Abdominal CT with intravenous contrast, axial plane, 120 kVp, kernel I30f. Slice 23/109 from the bottom of the scan; thickness 3.00 mm; pixel size 0.742 mm.
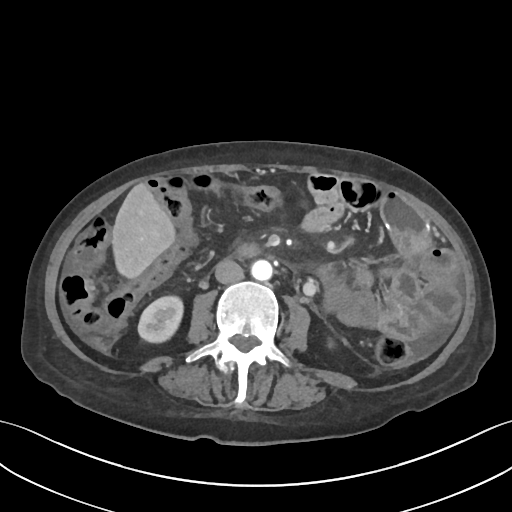
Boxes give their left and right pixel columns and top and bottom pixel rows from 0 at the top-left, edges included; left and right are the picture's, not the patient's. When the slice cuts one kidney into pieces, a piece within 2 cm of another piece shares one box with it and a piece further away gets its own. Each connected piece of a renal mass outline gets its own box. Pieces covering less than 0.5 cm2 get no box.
Right kidney, the box with left 137, top 294, right 184, bottom 344 (outlined area 1,767 px, about 9.7 cm2). No renal mass is outlined on this slice.